One axial slice (541 of 612, counting up from the lowest) of an arterial-phase abdominal CT acquired with 120 kVp, kernel I30f; each pixel is 0.703 mm and the slice is 1.00 mm thick.
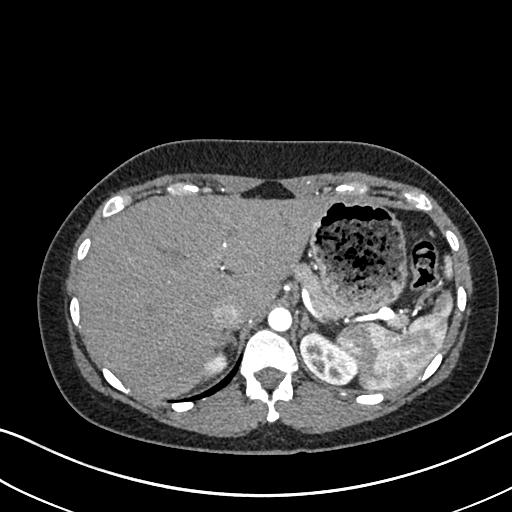
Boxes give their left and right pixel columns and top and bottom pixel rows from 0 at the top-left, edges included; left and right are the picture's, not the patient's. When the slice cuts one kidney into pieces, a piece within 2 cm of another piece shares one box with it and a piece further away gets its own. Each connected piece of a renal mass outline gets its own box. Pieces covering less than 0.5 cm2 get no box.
Boxed on this slice (two kidney boxes), listed by box centre from the image's left to its right: (1) Right kidney, the box with left 200, top 349, right 228, bottom 375 (outlined area 491 px, about 2.4 cm2). (2) Left kidney in the box with left 299, top 328, right 357, bottom 385 (outlined area 2,146 px, about 10.6 cm2). This slice carries no renal mass outline.